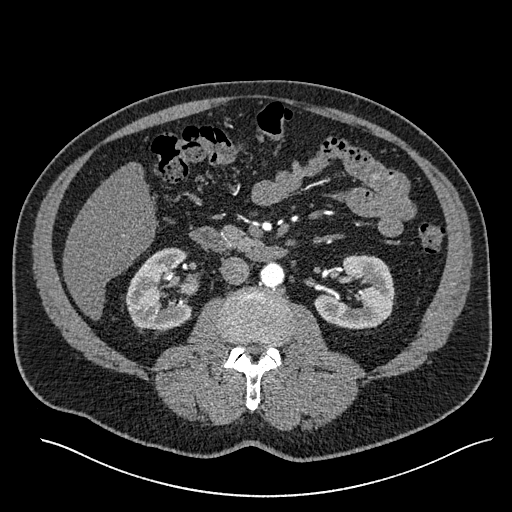
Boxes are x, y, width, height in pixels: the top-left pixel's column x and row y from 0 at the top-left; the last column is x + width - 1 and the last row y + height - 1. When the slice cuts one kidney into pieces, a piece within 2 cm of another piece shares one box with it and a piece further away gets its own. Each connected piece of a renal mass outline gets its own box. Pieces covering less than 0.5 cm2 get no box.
Slice 302/527 of a contrast-enhanced abdominal CT in the arterial phase, counting up from the lowest; pixel size 0.859 mm, slice thickness 1.00 mm. Two kidney boxes on this slice; by box centre, from the image's left to its right: (1) Right kidney, box x 125, y 247, width 68, height 88 (outlined area 4,125 px, about 30.5 cm2). (2) Left kidney at x 315, y 254, width 81, height 76 (outlined area 4,124 px, about 30.5 cm2). This slice carries no renal mass outline.
Acquired at 120 kVp and reconstructed with the I30f kernel.